One axial slice (367 of 581, counting up from the lowest) of an arterial-phase abdominal CT acquired with 120 kVp, kernel B30f; each pixel is 0.713 mm and the slice is 1.00 mm thick.
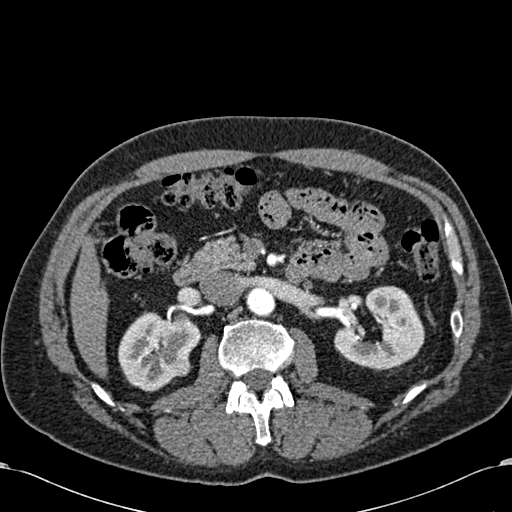
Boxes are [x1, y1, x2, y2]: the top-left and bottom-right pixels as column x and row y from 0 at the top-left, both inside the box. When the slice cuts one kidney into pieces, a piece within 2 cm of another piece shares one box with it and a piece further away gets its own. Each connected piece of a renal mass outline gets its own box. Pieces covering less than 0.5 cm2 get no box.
Three boxes on this slice (two kidney boxes and one renal mass box), listed by box centre from the image's left to its right. (1) Box [118, 311, 201, 392]: right kidney (outlined area 4,372 px, about 22.2 cm2). (2) Right renal mass, box [171, 355, 191, 376] (outlined area 370 px, about 1.9 cm2). (3) Left kidney at [334, 286, 424, 370] (outlined area 5,032 px, about 25.6 cm2).